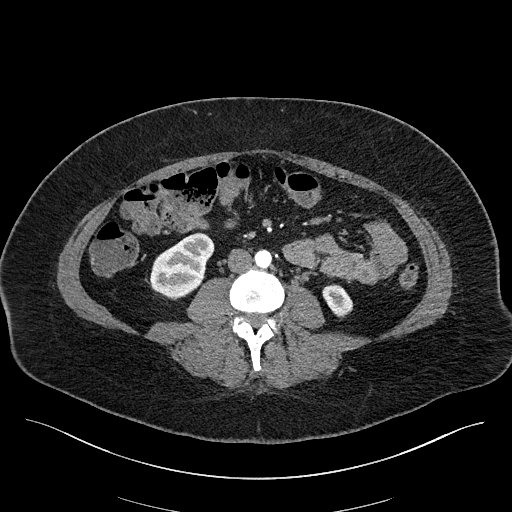
Axial slice 60 of 270 of a contrast-enhanced abdominal CT in the arterial phase (slice 1 is the lowest), 100 kVp, kernel I40f; 2.00 mm slice thickness and 0.855 mm pixels.
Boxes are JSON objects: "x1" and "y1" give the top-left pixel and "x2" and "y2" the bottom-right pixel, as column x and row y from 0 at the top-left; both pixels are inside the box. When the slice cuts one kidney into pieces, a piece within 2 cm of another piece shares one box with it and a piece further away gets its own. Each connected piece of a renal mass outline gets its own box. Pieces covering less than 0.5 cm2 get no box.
Boxed on this slice (two kidney boxes), listed by box centre from the image's left to its right: (1) Right kidney at {"x1": 149, "y1": 232, "x2": 214, "y2": 300} (outlined area 2,922 px, about 21.4 cm2). (2) Left kidney, box {"x1": 322, "y1": 284, "x2": 353, "y2": 318} (outlined area 726 px, about 5.3 cm2). No renal mass is outlined on this slice.